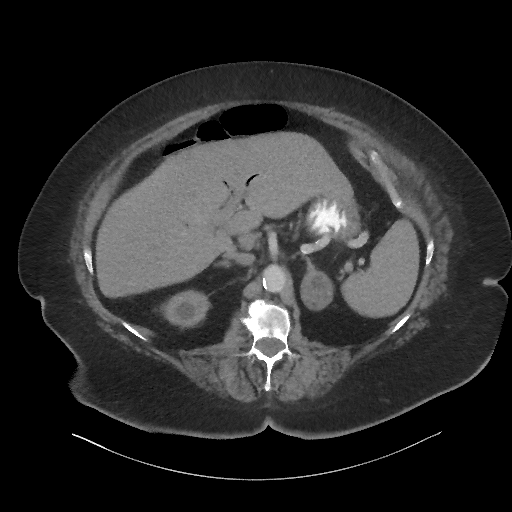
Axial slice 50 of 86 of a contrast-enhanced abdominal CT (slice 1 is the lowest), 140 kVp, kernel I44f; 3.00 mm slice thickness and 0.977 mm pixels.
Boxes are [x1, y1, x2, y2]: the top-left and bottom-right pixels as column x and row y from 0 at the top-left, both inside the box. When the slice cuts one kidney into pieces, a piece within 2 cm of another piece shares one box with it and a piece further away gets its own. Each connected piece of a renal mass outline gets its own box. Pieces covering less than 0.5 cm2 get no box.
Right kidney, box [160, 290, 210, 328] (outlined area 1,364 px, about 13.0 cm2). This slice carries no renal mass outline.